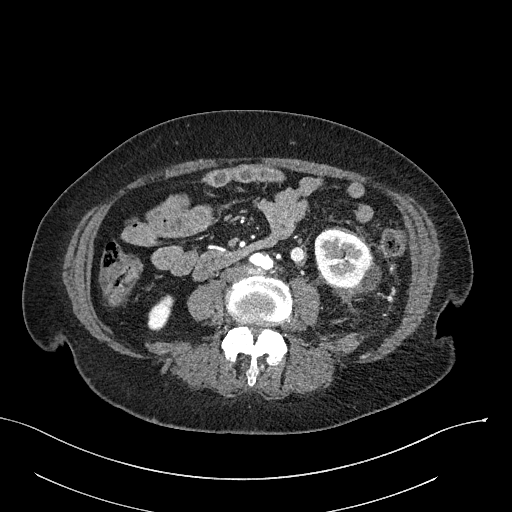
Arterial-phase contrast-enhanced abdominal CT, axial slice 85 of 316 (counted from the lowest slice); tube voltage 100 kVp, convolution kernel I40f; slices 2.00 mm thick, 0.840 mm per pixel.
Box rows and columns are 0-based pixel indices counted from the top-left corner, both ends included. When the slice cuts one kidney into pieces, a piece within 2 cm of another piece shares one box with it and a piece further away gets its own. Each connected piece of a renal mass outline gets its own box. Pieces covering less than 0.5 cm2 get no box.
Two kidney boxes on this slice; by box centre, from the image's left to its right: (1) Right kidney, box rows 294–331, columns 147–174 (outlined area 647 px, about 4.6 cm2). (2) Left kidney at rows 229–290, columns 315–381 (outlined area 3,033 px, about 21.4 cm2). No renal mass outline on this slice.